Abdominal CT with intravenous contrast, axial plane, 100 kVp, kernel I40f. Slice 348/439 from the bottom of the scan; thickness 2.00 mm; pixel size 0.850 mm.
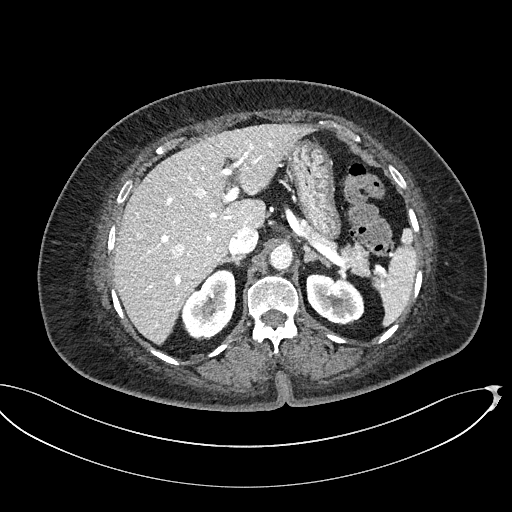
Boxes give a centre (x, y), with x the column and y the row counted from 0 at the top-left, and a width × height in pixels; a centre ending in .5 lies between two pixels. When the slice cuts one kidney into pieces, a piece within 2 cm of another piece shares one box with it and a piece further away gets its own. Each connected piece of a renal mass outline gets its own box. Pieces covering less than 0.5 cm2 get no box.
Boxed on this slice (two kidney boxes), listed by box centre from the image's left to its right: (1) Right kidney, box centre (208.5, 304.5), 56 × 72 pixels (outlined area 2,783 px, about 20.1 cm2). (2) Left kidney, box centre (335, 299), 59 × 53 pixels (outlined area 2,250 px, about 16.2 cm2). This slice carries no renal mass outline.